Abdominal CT with intravenous contrast, arterial phase, axial plane, 120 kVp, kernel B30f. Slice 48/53 from the bottom of the scan; thickness 3.00 mm; pixel size 0.547 mm.
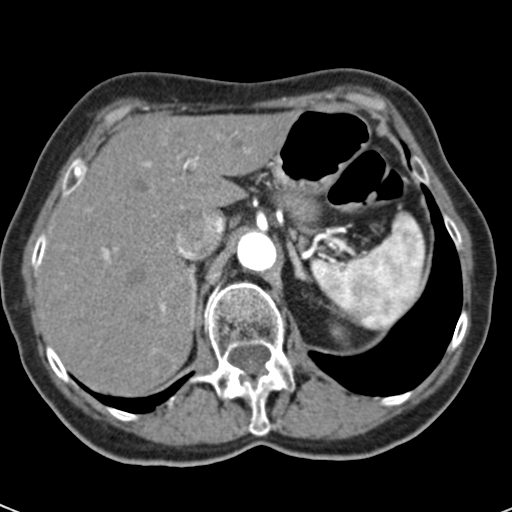
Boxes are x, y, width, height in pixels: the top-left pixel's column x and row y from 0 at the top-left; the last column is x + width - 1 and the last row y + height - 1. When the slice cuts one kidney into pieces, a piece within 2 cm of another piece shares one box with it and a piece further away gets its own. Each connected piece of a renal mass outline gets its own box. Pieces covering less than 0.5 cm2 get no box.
Box x 330, y 322, width 20, height 27: left kidney (outlined area 309 px, about 0.9 cm2). This slice carries no renal mass outline.